Axial slice 470 of 673 of a contrast-enhanced abdominal CT in the arterial phase (slice 1 is the lowest), 140 kVp, kernel I30f; 1.00 mm slice thickness and 0.957 mm pixels.
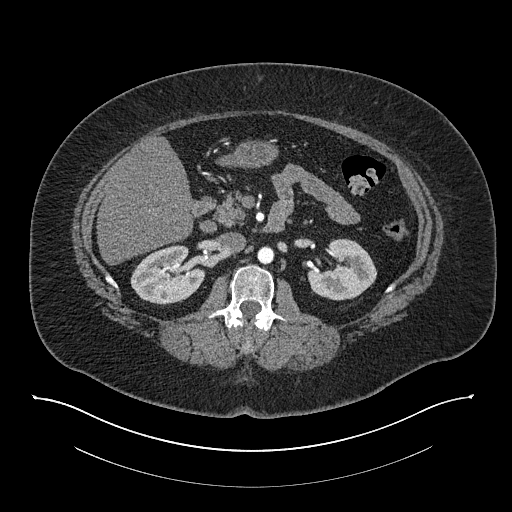
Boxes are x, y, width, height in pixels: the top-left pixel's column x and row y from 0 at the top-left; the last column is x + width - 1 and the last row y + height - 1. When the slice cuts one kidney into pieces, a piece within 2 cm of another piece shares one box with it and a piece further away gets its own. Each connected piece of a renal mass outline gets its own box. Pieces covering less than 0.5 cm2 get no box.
Two boxes on this slice (two kidney boxes), listed by box centre from the image's left to its right. (1) Right kidney, box x 130, y 245, width 76, height 60 (outlined area 3,277 px, about 30.0 cm2). (2) Box x 307, y 238, width 71, height 63: left kidney (outlined area 2,999 px, about 27.5 cm2). No renal mass outline on this slice.